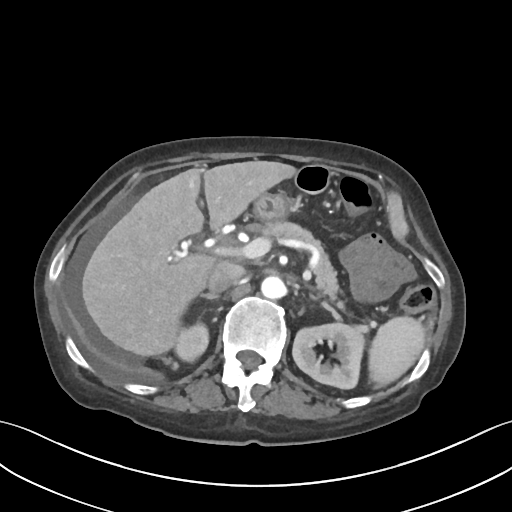
Axial slice 56 of 109 of a contrast-enhanced abdominal CT (slice 1 is the lowest), 120 kVp, kernel I30f; 3.00 mm slice thickness and 0.742 mm pixels.
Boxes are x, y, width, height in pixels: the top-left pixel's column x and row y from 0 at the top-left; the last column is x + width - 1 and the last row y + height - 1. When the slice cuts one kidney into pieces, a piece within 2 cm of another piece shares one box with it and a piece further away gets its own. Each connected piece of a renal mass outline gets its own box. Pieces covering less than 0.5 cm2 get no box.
Boxed on this slice (two kidney boxes and one renal mass box), listed by box centre from the image's left to its right: (1) Box x 161, y 357, width 19, height 14: right renal mass (outlined area 165 px, about 0.9 cm2). (2) Right kidney, box x 175, y 323, width 35, height 39 (outlined area 1,083 px, about 6.0 cm2). (3) Left kidney, box x 291, y 321, width 78, height 71 (outlined area 3,879 px, about 21.4 cm2).